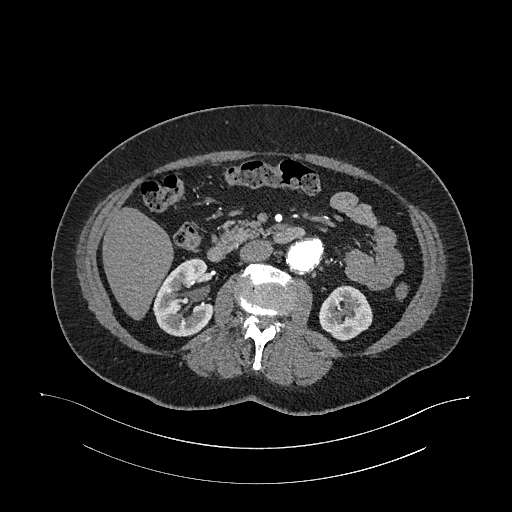
One axial slice (625 of 987, counting up from the lowest) of an arterial-phase abdominal CT acquired with 120 kVp, kernel I26f; each pixel is 0.977 mm and the slice is 1.00 mm thick.
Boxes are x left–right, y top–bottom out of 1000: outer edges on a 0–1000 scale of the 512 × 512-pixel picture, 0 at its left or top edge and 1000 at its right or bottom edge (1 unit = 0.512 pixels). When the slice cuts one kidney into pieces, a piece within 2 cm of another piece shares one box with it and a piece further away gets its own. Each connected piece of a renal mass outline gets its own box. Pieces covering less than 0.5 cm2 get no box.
Boxed on this slice (two kidney boxes), listed by box centre from the image's left to its right: (1) Box x 299–418, y 504–658 out of 1000: right kidney (outlined area 3,419 px, about 32.6 cm2). (2) Left kidney at x 621–729, y 557–666 out of 1000 (outlined area 2,231 px, about 21.3 cm2). No renal mass outline on this slice.